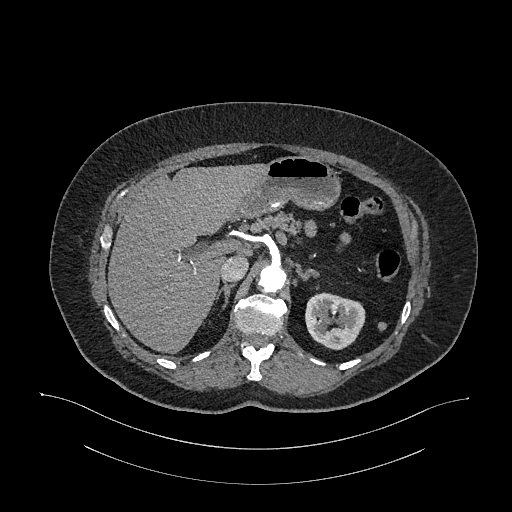
Arterial-phase contrast-enhanced abdominal CT, axial slice 757 of 987 (counted from the lowest slice); tube voltage 120 kVp, convolution kernel I26f; slices 1.00 mm thick, 0.977 mm per pixel.
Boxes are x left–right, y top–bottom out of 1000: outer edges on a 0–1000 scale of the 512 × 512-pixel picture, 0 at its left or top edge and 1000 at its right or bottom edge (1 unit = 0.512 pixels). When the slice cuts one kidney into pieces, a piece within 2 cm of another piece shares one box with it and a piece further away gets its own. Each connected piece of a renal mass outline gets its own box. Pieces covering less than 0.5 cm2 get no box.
Left kidney, box x 596–715, y 570–684 out of 1000 (outlined area 2,657 px, about 25.3 cm2). This slice carries no renal mass outline.